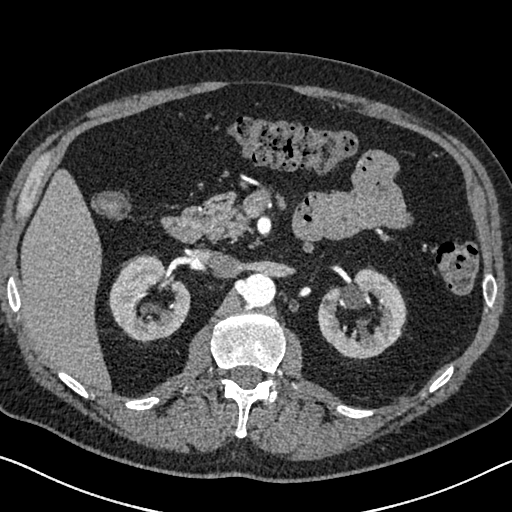
One axial slice (432 of 626, counting up from the lowest) of an arterial-phase abdominal CT acquired with 120 kVp, kernel I30f; each pixel is 0.703 mm and the slice is 1.00 mm thick.
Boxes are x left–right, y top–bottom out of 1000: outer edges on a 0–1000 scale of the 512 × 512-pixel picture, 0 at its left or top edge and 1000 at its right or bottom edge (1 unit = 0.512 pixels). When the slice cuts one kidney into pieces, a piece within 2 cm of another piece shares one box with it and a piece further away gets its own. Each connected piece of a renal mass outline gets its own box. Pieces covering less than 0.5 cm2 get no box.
Boxed on this slice (two kidney boxes), listed by box centre from the image's left to its right: (1) Right kidney, box x 211–373, y 496–672 out of 1000 (outlined area 4,856 px, about 24.0 cm2). (2) Box x 619–795, y 520–703 out of 1000: left kidney (outlined area 5,232 px, about 25.9 cm2). This slice carries no renal mass outline.